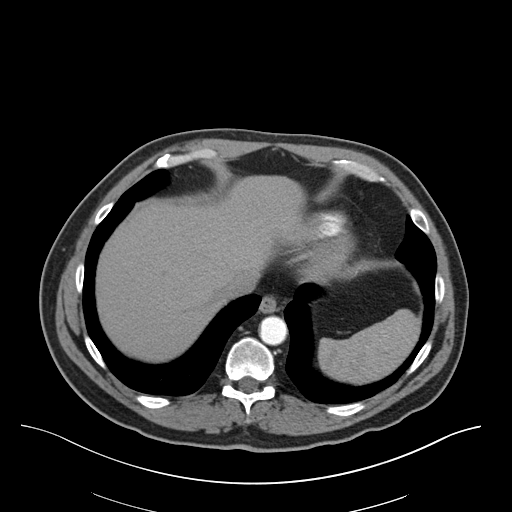
Axial slice 67 of 75 of a contrast-enhanced abdominal CT (slice 1 is the lowest), 140 kVp, kernel B30f; 3.00 mm slice thickness and 0.875 mm pixels.
Neither a kidney nor a renal mass is outlined here. Only kidneys and renal masses are outlined anywhere in this scan; other structures are never outlined.